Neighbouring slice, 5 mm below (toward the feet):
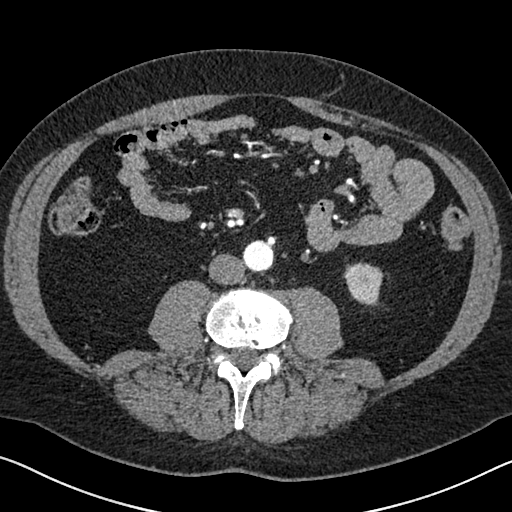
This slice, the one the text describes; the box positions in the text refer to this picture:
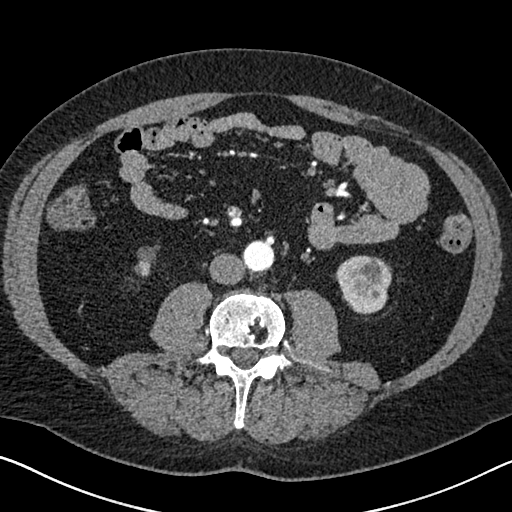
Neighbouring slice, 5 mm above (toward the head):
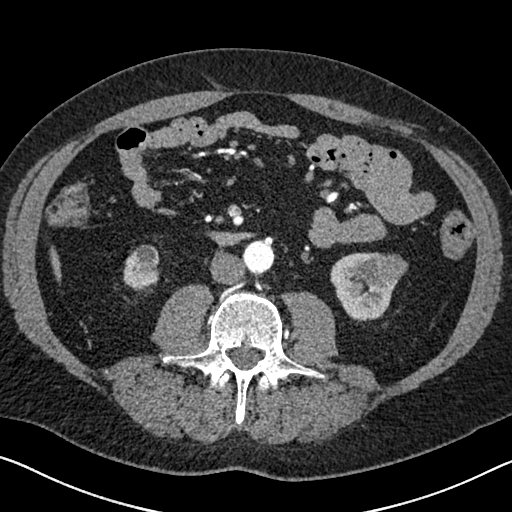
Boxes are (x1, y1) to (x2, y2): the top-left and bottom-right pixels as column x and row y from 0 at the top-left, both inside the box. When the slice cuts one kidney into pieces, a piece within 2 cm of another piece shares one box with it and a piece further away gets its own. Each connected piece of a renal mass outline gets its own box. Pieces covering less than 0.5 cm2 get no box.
Arterial-phase contrast-enhanced abdominal CT, axial slice 296 of 626 (counted from the lowest slice); 1.00 mm thick, 0.703 mm per pixel. Three boxes on this slice (two kidney boxes and one renal mass box), listed by box centre from the image's left to its right. (1) Box (134, 245) to (159, 275): right kidney (outlined area 449 px, about 2.2 cm2). (2) Left kidney from (335, 255) to (391, 313) (outlined area 2,261 px, about 11.2 cm2). (3) Box (360, 259) to (378, 281): left renal mass (outlined area 311 px, about 1.5 cm2). This slice is near the end of the left renal mass toward the feet, so the slices 5 mm below and 5 mm above it are shown as well; the boxes refer to this slice only.
Tube voltage 120 kVp; convolution kernel I30f.